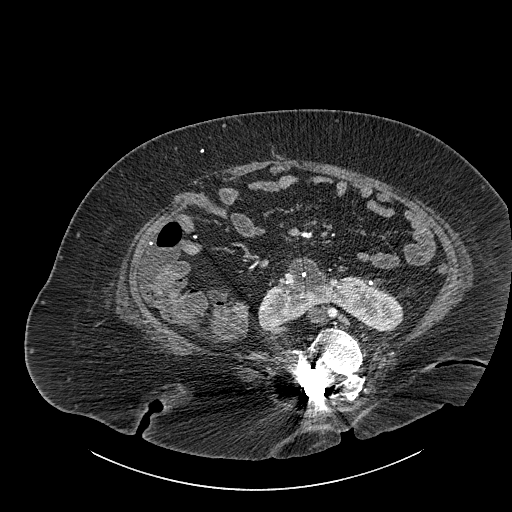
Contrast-enhanced abdominal CT, axial slice 468 of 834 (counted from the lowest slice); tube voltage 140 kVp, convolution kernel I30f; slices 1.00 mm thick, 0.977 mm per pixel.
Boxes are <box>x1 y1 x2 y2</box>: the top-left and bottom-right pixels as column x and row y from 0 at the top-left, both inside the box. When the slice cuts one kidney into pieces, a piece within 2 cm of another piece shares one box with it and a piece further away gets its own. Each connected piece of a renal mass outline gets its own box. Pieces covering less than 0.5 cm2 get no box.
Kidney crossing the body midline at <box>258 257 403 331</box> (outlined area 5,821 px, about 55.5 cm2).